One axial slice (375 of 673, counting up from the lowest) of an arterial-phase abdominal CT acquired with 120 kVp, kernel I30f; each pixel is 0.855 mm and the slice is 1.00 mm thick.
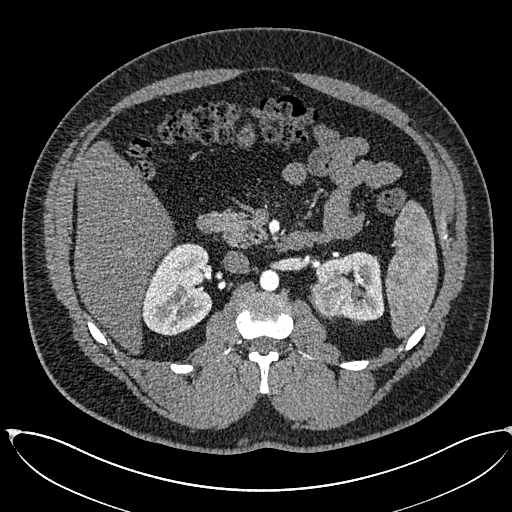
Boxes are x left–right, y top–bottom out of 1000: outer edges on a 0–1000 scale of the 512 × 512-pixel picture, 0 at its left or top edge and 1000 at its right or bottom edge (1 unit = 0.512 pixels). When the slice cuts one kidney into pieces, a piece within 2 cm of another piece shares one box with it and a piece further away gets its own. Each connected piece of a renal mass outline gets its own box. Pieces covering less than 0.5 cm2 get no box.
Three boxes on this slice (two kidney boxes and one renal mass box), listed by box centre from the image's left to its right. (1) Right kidney, box x 275–416, y 475–656 out of 1000 (outlined area 4,988 px, about 36.5 cm2). (2) Left renal mass at x 604–697, y 537–625 out of 1000 (outlined area 1,647 px, about 12.1 cm2). (3) Box x 615–752, y 490–627 out of 1000: left kidney (outlined area 2,559 px, about 18.7 cm2).